Axial slice 160 of 349 of a contrast-enhanced abdominal CT in the arterial phase (slice 1 is the lowest), 120 kVp, kernel STANDARD; 1.25 mm slice thickness and 0.742 mm pixels.
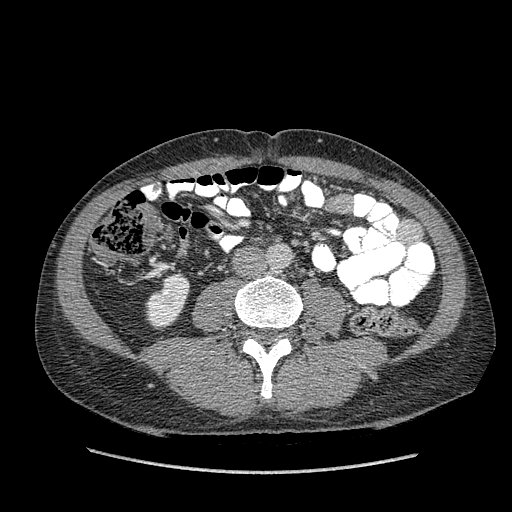
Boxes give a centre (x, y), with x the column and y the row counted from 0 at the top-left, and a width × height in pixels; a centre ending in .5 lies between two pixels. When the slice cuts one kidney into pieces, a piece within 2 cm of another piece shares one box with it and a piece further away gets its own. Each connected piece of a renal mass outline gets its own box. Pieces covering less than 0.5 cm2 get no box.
Box centre (167.5, 301.5), 44 × 56 pixels: right kidney (outlined area 1,676 px, about 9.2 cm2). No renal mass outline on this slice.